Axial slice 89 of 129 of a contrast-enhanced abdominal CT in the arterial phase (slice 1 is the lowest), 100 kVp, kernel I41f; 3.00 mm slice thickness and 0.779 mm pixels.
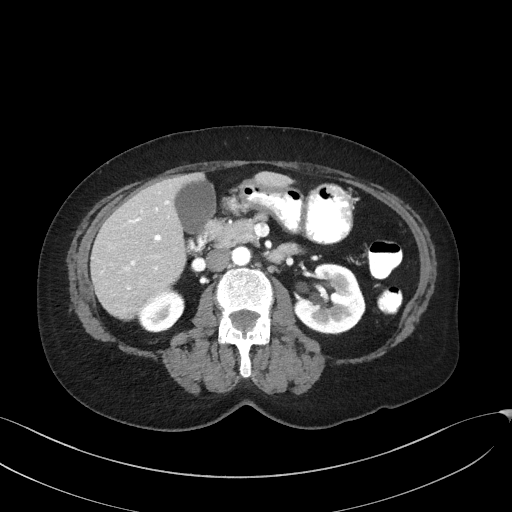
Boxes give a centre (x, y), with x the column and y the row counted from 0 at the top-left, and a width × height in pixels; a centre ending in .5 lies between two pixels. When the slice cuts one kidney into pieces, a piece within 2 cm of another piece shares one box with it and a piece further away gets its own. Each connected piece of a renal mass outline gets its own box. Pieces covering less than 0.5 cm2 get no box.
Boxed on this slice (two kidney boxes), listed by box centre from the image's left to its right: (1) Right kidney in a box with centre (161, 311.5), 47 × 42 pixels (outlined area 1,351 px, about 8.2 cm2). (2) Left kidney, box centre (329.5, 298.5), 72 × 72 pixels (outlined area 3,781 px, about 23.0 cm2). This slice carries no renal mass outline.